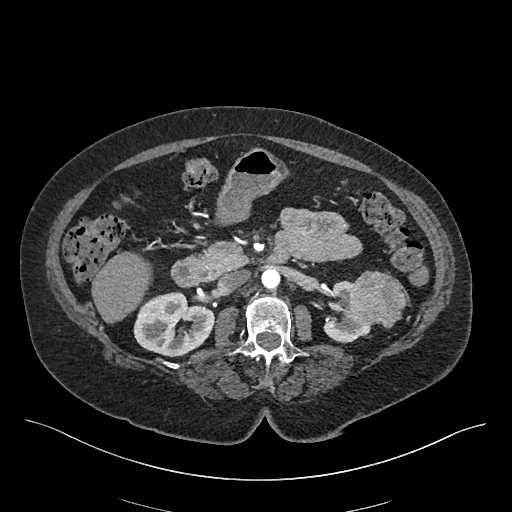
Axial slice 258 of 548 of a contrast-enhanced abdominal CT in the arterial phase (slice 1 is the lowest), 120 kVp, kernel I26f; 1.00 mm slice thickness and 0.852 mm pixels.
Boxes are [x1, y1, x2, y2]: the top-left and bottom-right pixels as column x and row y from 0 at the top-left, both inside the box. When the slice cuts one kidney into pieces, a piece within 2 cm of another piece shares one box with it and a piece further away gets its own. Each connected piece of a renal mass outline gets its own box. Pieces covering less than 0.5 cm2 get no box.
Two kidney boxes and one renal mass box on this slice; by box centre, from the image's left to its right: (1) Box [133, 291, 213, 356]: right kidney (outlined area 3,814 px, about 27.7 cm2). (2) Box [323, 280, 370, 343]: left kidney (outlined area 1,504 px, about 10.9 cm2). (3) Left renal mass, box [344, 270, 405, 328] (outlined area 2,692 px, about 19.5 cm2).